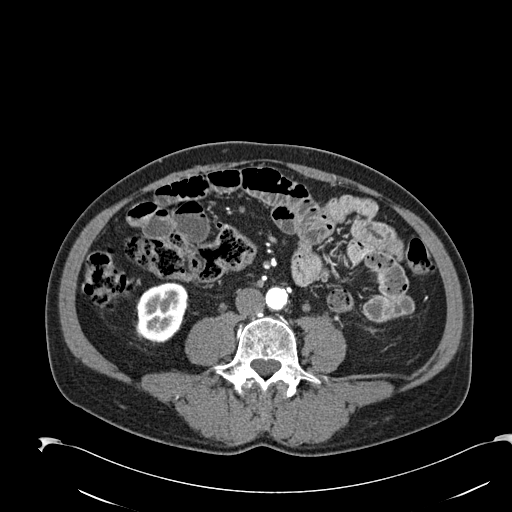
One axial slice (55 of 274, counting up from the lowest) of an arterial-phase abdominal CT acquired with 120 kVp, kernel B30f; each pixel is 0.809 mm and the slice is 2.00 mm thick.
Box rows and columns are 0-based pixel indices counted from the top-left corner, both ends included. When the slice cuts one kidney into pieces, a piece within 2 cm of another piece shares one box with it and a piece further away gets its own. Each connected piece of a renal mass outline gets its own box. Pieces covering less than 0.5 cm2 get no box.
Right kidney, box rows 282–342, columns 135–188 (outlined area 2,504 px, about 16.4 cm2). No renal mass outline on this slice.